Arterial-phase contrast-enhanced abdominal CT, axial slice 25 of 98 (counted from the lowest slice); tube voltage 120 kVp, convolution kernel B; slices 5.00 mm thick, 0.703 mm per pixel.
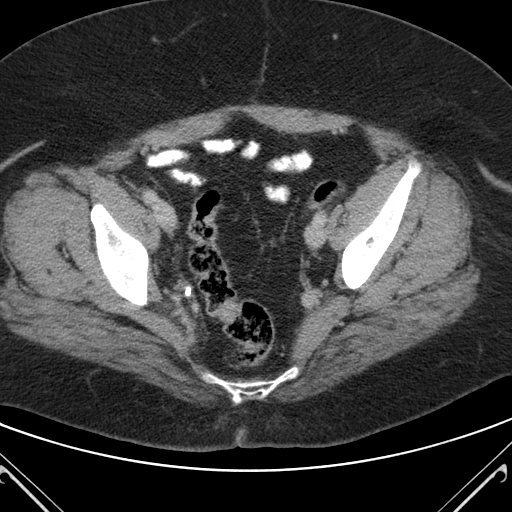
This slice carries no outline: it lies beyond the outlined kidneys and beyond every outlined renal mass. Other organs are not outlined in this scan.